Axial slice 237 of 433 of a contrast-enhanced abdominal CT (slice 1 is the lowest), 120 kVp, kernel B30f; 1.00 mm slice thickness and 0.672 mm pixels.
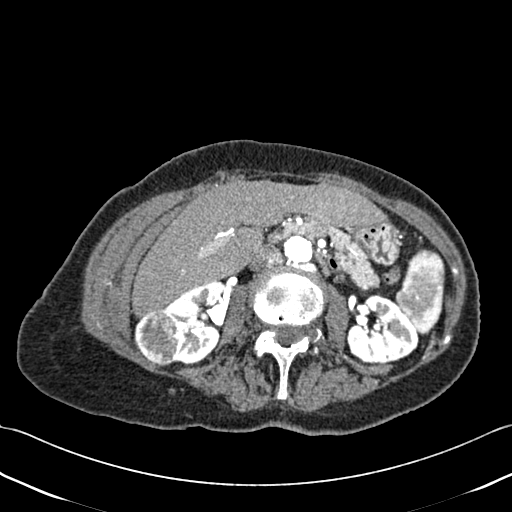
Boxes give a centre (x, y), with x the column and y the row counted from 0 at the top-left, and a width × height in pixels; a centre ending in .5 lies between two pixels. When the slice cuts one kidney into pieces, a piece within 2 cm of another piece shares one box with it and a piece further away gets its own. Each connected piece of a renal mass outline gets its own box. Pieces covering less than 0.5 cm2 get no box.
Three boxes on this slice (two kidney boxes and one renal mass box), listed by box centre from the image's left to its right. (1) Right renal mass, box centre (158, 337.5), 49 × 58 pixels (outlined area 2,142 px, about 9.7 cm2). (2) Right kidney, box centre (193, 323), 61 × 85 pixels (outlined area 3,261 px, about 14.7 cm2). (3) Left kidney, box centre (381.5, 328.5), 74 × 72 pixels (outlined area 3,609 px, about 16.3 cm2).